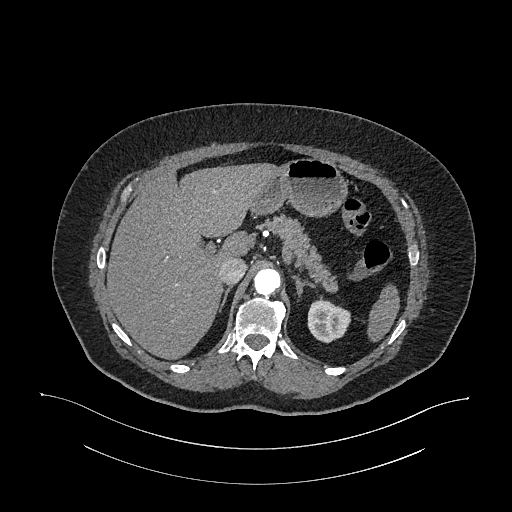
Axial slice 782 of 987 of a contrast-enhanced abdominal CT in the arterial phase (slice 1 is the lowest), 120 kVp, kernel I26f; 1.00 mm slice thickness and 0.977 mm pixels.
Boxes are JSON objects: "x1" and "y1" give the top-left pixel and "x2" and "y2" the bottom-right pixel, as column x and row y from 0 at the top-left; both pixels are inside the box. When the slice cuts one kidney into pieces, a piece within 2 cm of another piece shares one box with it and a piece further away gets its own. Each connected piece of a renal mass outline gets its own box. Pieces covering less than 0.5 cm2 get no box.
Left kidney at {"x1": 307, "y1": 299, "x2": 350, "y2": 343} (outlined area 1,443 px, about 13.8 cm2). This slice carries no renal mass outline.